Axial slice 399 of 834 of a contrast-enhanced abdominal CT (slice 1 is the lowest), 140 kVp, kernel I30f; 1.00 mm slice thickness and 0.977 mm pixels.
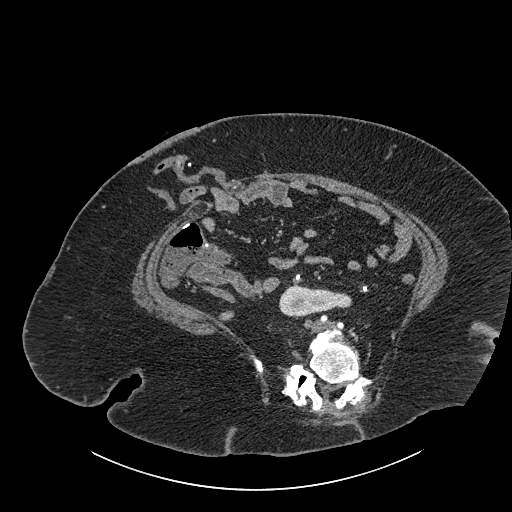
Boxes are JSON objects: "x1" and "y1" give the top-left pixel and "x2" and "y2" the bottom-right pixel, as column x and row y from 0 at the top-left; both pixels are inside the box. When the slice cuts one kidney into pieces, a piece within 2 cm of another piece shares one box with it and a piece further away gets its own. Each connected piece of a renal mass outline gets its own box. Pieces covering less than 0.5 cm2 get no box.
Right part of the midline-crossing kidney at {"x1": 279, "y1": 285, "x2": 351, "y2": 318} (outlined area 1,688 px, about 16.1 cm2). No renal mass outline on this slice.